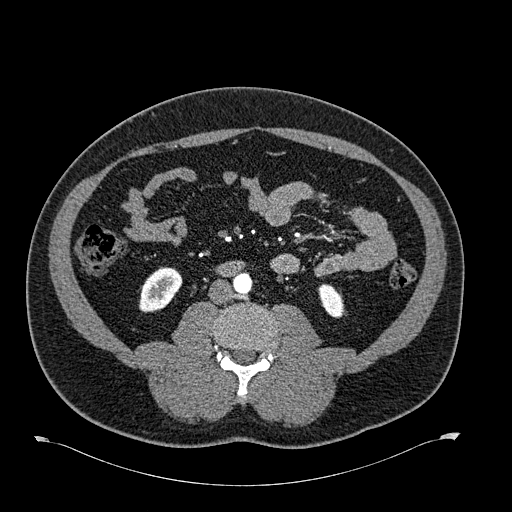
Abdominal CT with intravenous contrast, arterial phase, axial plane, 120 kVp, kernel B30f. Slice 273/723 from the bottom of the scan; thickness 1.00 mm; pixel size 0.895 mm.
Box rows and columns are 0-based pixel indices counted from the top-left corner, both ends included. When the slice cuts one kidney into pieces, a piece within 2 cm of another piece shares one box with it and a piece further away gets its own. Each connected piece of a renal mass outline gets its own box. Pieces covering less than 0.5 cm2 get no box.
Two kidney boxes on this slice; by box centre, from the image's left to its right: (1) Box rows 266–312, columns 138–182: right kidney (outlined area 1,418 px, about 11.3 cm2). (2) Left kidney, box rows 283–317, columns 318–343 (outlined area 651 px, about 5.2 cm2). No renal mass is outlined on this slice.